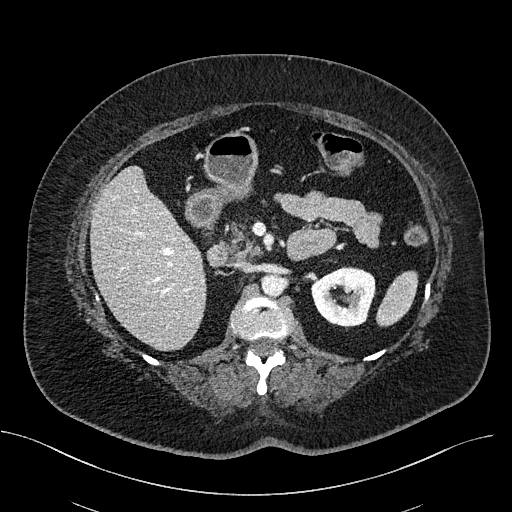
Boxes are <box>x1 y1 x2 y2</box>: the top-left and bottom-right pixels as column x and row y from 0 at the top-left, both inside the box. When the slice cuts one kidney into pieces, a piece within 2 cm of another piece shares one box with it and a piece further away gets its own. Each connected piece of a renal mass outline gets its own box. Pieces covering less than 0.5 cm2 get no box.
Slice 318/470 of a contrast-enhanced abdominal CT, counting up from the lowest; pixel size 0.824 mm, slice thickness 2.00 mm. At <box>311 266 375 326</box>: left kidney (outlined area 2,962 px, about 20.1 cm2). No renal mass outline on this slice.
Scan settings: 100 kVp, I40f reconstruction kernel.